Abdominal CT with intravenous contrast, arterial phase, axial plane, 100 kVp, kernel I40f. Slice 83/234 from the bottom of the scan; thickness 2.00 mm; pixel size 0.699 mm.
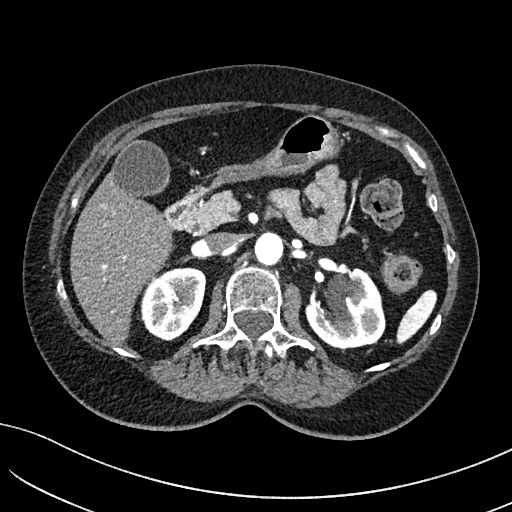
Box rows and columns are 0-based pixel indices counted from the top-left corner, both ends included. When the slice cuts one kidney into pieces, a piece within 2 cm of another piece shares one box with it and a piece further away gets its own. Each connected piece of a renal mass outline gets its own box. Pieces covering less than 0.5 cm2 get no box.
Boxed on this slice (two kidney boxes), listed by box centre from the image's left to its right: (1) Right kidney, box rows 267–340, columns 140–206 (outlined area 3,669 px, about 17.9 cm2). (2) Box rows 268–347, columns 305–385: left kidney (outlined area 4,569 px, about 22.3 cm2). This slice carries no renal mass outline.